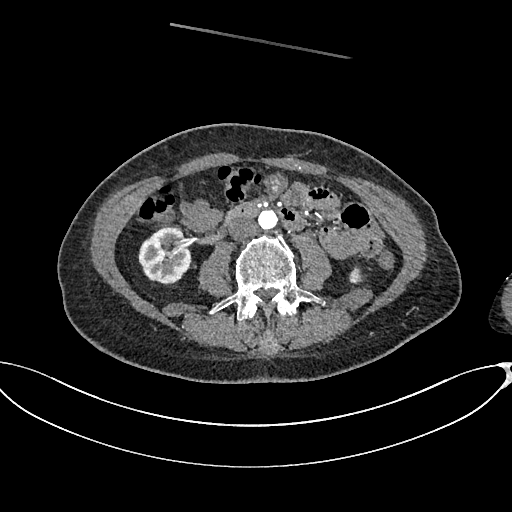
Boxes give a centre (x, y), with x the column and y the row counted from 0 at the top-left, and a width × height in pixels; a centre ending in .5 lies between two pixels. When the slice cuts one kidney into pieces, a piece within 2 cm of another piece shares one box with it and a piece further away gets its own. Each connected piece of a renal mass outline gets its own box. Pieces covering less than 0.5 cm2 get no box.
Slice 308/665 of a contrast-enhanced abdominal CT in the arterial phase, counting up from the lowest; pixel size 0.828 mm, slice thickness 1.00 mm. Two kidney boxes on this slice; by box centre, from the image's left to its right: (1) Box centre (164, 255.5), 53 × 60 pixels: right kidney (outlined area 2,368 px, about 16.2 cm2). (2) Box centre (355.5, 274), 16 × 17 pixels: left kidney (outlined area 185 px, about 1.3 cm2). No renal mass is outlined on this slice.
Tube voltage 100 kVp; convolution kernel I26f.